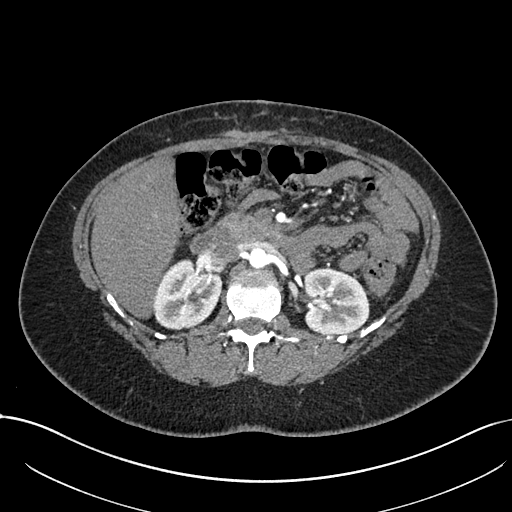
Arterial-phase contrast-enhanced abdominal CT, axial slice 448 of 738 (counted from the lowest slice); tube voltage 120 kVp, convolution kernel I30f; slices 1.00 mm thick, 0.789 mm per pixel.
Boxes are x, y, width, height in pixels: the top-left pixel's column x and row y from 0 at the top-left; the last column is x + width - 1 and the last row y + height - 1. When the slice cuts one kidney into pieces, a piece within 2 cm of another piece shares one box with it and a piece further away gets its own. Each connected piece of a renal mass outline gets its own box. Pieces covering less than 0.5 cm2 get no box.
Two boxes on this slice (two kidney boxes), listed by box centre from the image's left to its right. (1) Right kidney at x 153, y 258, width 70, height 72 (outlined area 3,769 px, about 23.5 cm2). (2) Box x 303, y 268, width 67, height 67: left kidney (outlined area 3,689 px, about 23.0 cm2). No renal mass is outlined on this slice.